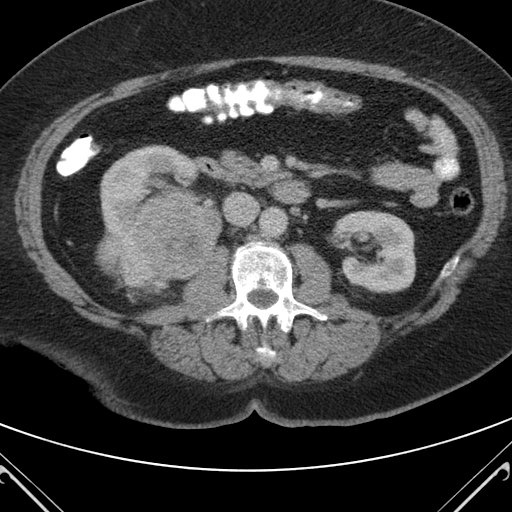
One axial slice (60 of 98, counting up from the lowest) of an arterial-phase abdominal CT acquired with 120 kVp, kernel B; each pixel is 0.703 mm and the slice is 5.00 mm thick.
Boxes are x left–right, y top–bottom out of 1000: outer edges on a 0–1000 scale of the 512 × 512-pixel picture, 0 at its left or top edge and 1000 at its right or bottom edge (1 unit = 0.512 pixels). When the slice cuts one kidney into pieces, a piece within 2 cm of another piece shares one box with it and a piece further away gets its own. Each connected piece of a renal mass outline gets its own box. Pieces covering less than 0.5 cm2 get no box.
Two kidney boxes and one renal mass box on this slice; by box centre, from the image's left to its right: (1) Right kidney at x 195–426, y 281–455 out of 1000 (outlined area 5,345 px, about 26.4 cm2). (2) Right renal mass, box x 186–436, y 375–580 out of 1000 (outlined area 8,949 px, about 44.2 cm2). (3) Left kidney at x 648–813, y 410–574 out of 1000 (outlined area 5,473 px, about 27.1 cm2).